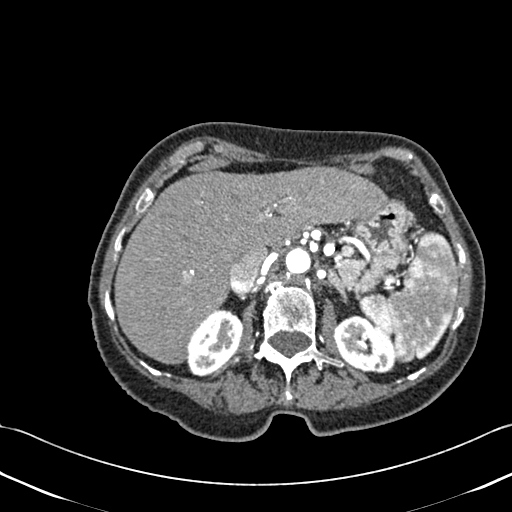
Contrast-enhanced abdominal CT, axial slice 314 of 433 (counted from the lowest slice); tube voltage 120 kVp, convolution kernel B30f; slices 1.00 mm thick, 0.672 mm per pixel.
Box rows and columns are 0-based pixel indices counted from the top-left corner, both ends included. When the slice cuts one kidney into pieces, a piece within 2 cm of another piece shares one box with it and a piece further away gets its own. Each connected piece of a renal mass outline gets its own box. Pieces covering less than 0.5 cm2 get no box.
Boxed on this slice (two kidney boxes), listed by box centre from the image's left to its right: (1) Right kidney, box rows 308–376, columns 187–243 (outlined area 2,698 px, about 12.2 cm2). (2) Box rows 315–373, columns 334–395: left kidney (outlined area 2,685 px, about 12.1 cm2). No renal mass is outlined on this slice.